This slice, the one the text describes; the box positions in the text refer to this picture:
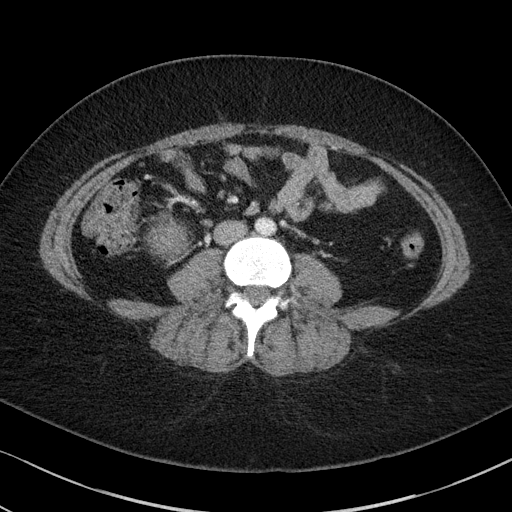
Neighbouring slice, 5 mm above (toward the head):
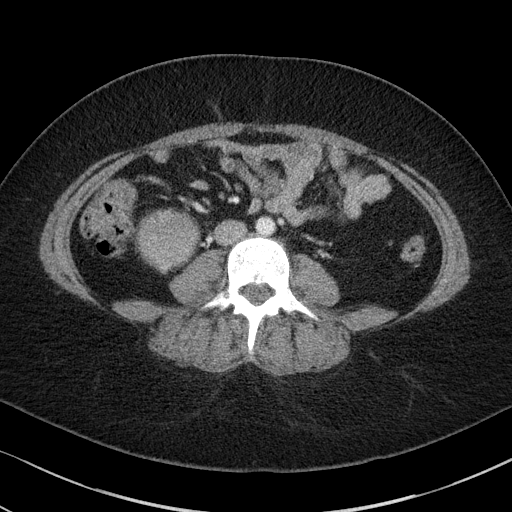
Abdominal CT with intravenous contrast, arterial phase, axial plane, 100 kVp, kernel I41f. Slice 41/85 from the bottom of the scan; thickness 5.00 mm; pixel size 0.664 mm.
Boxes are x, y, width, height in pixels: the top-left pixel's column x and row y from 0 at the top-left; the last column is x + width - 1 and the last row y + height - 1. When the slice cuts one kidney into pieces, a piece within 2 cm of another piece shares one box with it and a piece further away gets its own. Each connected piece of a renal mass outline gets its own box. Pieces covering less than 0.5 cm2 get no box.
Box x 145, y 218, width 44, height 42: right renal mass (outlined area 1,403 px, about 6.2 cm2); no kidney outline appears on this slice, but the same outlined renal mass comes within 1 cm of the kidney on another slice. This slice lies near the end of the right renal mass toward the feet; the slice 5 mm above it is shown too, and the boxes mark positions on this slice only.